Arterial-phase contrast-enhanced abdominal CT, axial slice 129 of 199 (counted from the lowest slice); tube voltage 120 kVp, convolution kernel STANDARD; slices 2.50 mm thick, 0.789 mm per pixel.
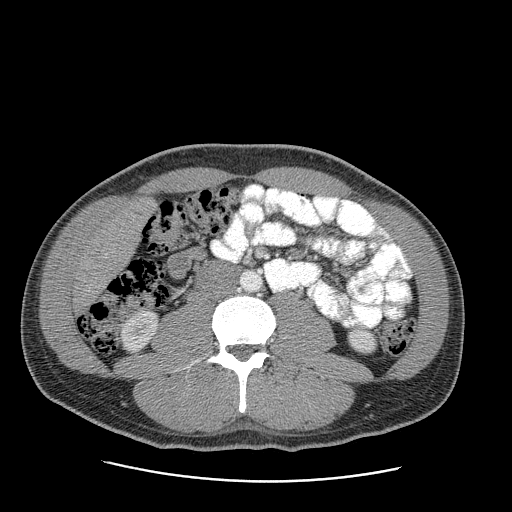
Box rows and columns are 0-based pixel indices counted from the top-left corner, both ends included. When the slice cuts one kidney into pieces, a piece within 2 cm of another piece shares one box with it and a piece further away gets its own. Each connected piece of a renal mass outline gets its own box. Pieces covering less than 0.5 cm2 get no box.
Two boxes on this slice (two kidney boxes), listed by box centre from the image's left to its right. (1) Box rows 308–350, columns 121–158: right kidney (outlined area 1,189 px, about 7.4 cm2). (2) Left kidney, box rows 328–354, columns 347–380 (outlined area 701 px, about 4.4 cm2). This slice carries no renal mass outline.